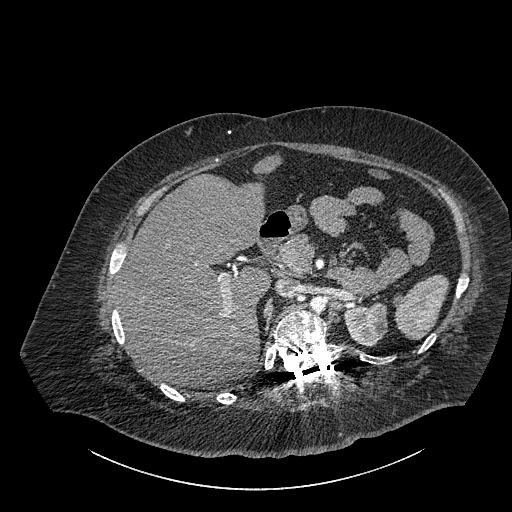
Abdominal CT with intravenous contrast, axial plane, 140 kVp, kernel I30f. Slice 618/834 from the bottom of the scan; thickness 1.00 mm; pixel size 0.977 mm.
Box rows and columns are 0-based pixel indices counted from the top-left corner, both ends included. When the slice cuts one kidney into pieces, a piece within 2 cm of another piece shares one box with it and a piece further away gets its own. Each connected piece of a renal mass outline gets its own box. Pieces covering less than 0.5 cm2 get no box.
Left part of the midline-crossing kidney at rows 302–346, columns 343–388 (outlined area 1,512 px, about 14.4 cm2). No renal mass is outlined on this slice.